One axial slice (255 of 325, counting up from the lowest) of an arterial-phase abdominal CT acquired with 100 kVp, kernel I30f; each pixel is 0.703 mm and the slice is 1.00 mm thick.
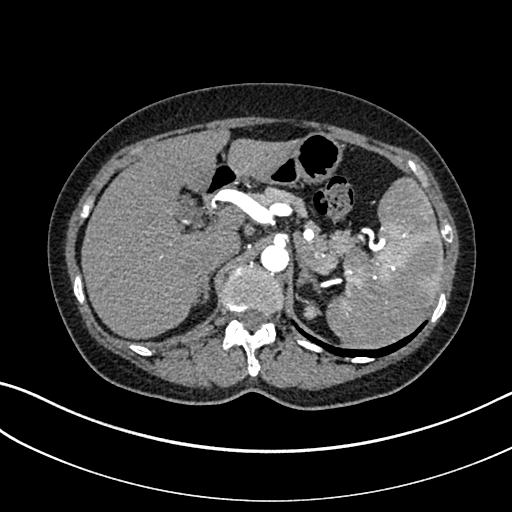
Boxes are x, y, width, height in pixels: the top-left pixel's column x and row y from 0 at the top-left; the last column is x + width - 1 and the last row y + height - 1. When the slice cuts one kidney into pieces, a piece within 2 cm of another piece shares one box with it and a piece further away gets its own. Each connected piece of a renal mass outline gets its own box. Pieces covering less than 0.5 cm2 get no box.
Left kidney at x 303, y 300, width 19, height 20 (outlined area 247 px, about 1.2 cm2). This slice carries no renal mass outline.